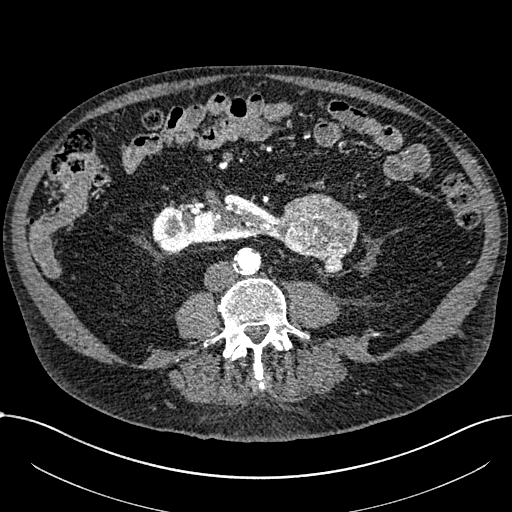
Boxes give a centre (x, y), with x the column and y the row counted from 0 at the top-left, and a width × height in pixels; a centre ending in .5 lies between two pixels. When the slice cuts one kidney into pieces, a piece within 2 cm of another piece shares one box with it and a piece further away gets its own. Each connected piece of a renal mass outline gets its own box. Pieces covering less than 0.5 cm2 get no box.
Arterial-phase contrast-enhanced abdominal CT, axial slice 270 of 1059 (counted from the lowest slice); 1.00 mm thick, 0.811 mm per pixel. Boxed on this slice (one kidney box and one renal mass box), listed by box centre from the image's left to its right: (1) Right part of the midline-crossing kidney in a box with centre (217, 223.5), 131 × 62 pixels (outlined area 5,090 px, about 33.4 cm2). (2) Box centre (318.5, 233), 84 × 81 pixels: renal mass (outlined area 4,450 px, about 29.2 cm2).
Tube voltage 100 kVp; convolution kernel I30f.